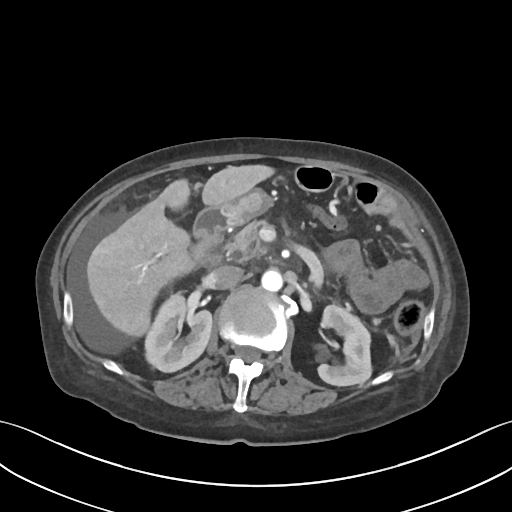
Abdominal CT with intravenous contrast, axial plane, 120 kVp, kernel I30f. Slice 47/109 from the bottom of the scan; thickness 3.00 mm; pixel size 0.742 mm.
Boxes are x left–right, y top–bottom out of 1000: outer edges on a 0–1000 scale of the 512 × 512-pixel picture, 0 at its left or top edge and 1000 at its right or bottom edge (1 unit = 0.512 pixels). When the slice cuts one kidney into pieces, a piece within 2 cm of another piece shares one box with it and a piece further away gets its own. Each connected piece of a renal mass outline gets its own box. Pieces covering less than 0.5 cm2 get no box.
Two boxes on this slice (two kidney boxes), listed by box centre from the image's left to its right. (1) Right kidney, box x 281–416, y 572–730 out of 1000 (outlined area 3,972 px, about 21.9 cm2). (2) Left kidney, box x 617–729, y 596–756 out of 1000 (outlined area 3,608 px, about 19.9 cm2). No renal mass outline on this slice.